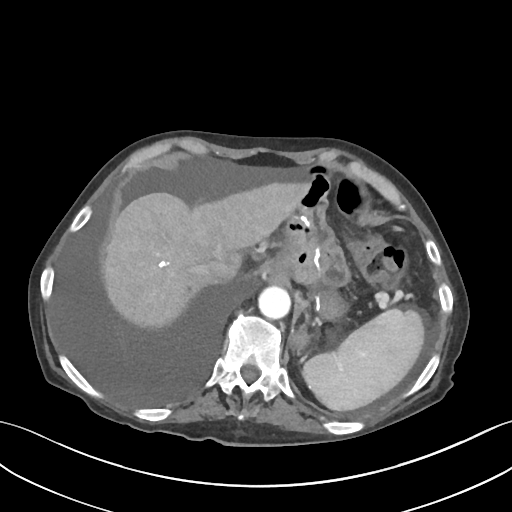
Slice 78/109 of a contrast-enhanced abdominal CT, counting up from the lowest; pixel size 0.742 mm, slice thickness 3.00 mm. Neither a kidney nor a renal mass is outlined here. Only kidneys and renal masses are outlined anywhere in this scan; other structures are never outlined.
Scan settings: 120 kVp, I30f reconstruction kernel.